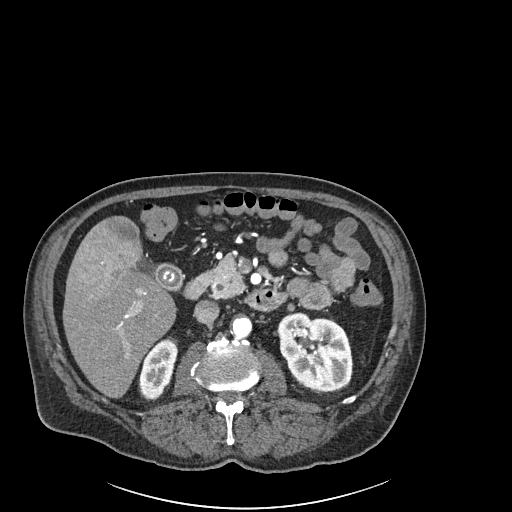
One axial slice (108 of 261, counting up from the lowest) of an arterial-phase abdominal CT acquired with 120 kVp, kernel I30f; each pixel is 0.939 mm and the slice is 2.00 mm thick.
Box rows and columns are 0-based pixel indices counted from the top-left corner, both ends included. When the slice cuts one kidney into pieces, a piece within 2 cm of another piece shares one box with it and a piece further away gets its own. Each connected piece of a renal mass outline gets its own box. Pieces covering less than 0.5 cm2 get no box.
Two boxes on this slice (two kidney boxes), listed by box centre from the image's left to its right. (1) Right kidney, box rows 339–398, columns 139–176 (outlined area 1,562 px, about 13.8 cm2). (2) Left kidney at rows 312–390, columns 277–352 (outlined area 4,545 px, about 40.1 cm2). No renal mass is outlined on this slice.